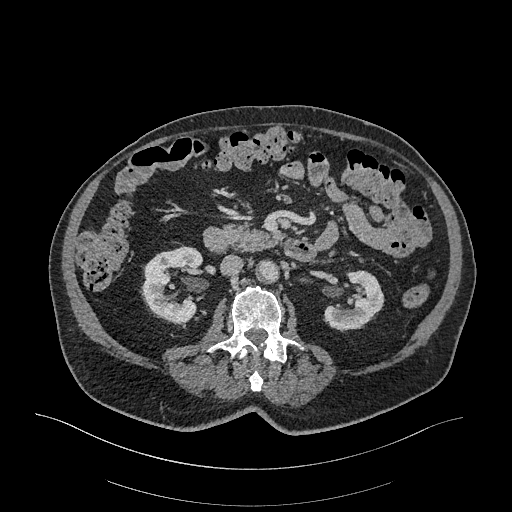
Axial slice 152 of 470 of a contrast-enhanced abdominal CT in the arterial phase (slice 1 is the lowest), 120 kVp, kernel I26f; 1.00 mm slice thickness and 0.938 mm pixels.
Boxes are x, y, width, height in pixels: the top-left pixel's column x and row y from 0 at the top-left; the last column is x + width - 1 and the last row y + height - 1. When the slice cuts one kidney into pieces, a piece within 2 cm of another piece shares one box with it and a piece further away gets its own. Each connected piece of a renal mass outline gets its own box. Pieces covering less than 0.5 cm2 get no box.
Boxed on this slice (two kidney boxes), listed by box centre from the image's left to its right: (1) Right kidney, box x 140, y 245, width 62, height 79 (outlined area 3,426 px, about 30.1 cm2). (2) Left kidney, box x 323, y 270, width 62, height 62 (outlined area 2,381 px, about 20.9 cm2). This slice carries no renal mass outline.